Contrast-enhanced abdominal CT, axial slice 106 of 178 (counted from the lowest slice); tube voltage 100 kVp, convolution kernel I30f; slices 5.00 mm thick, 0.650 mm per pixel.
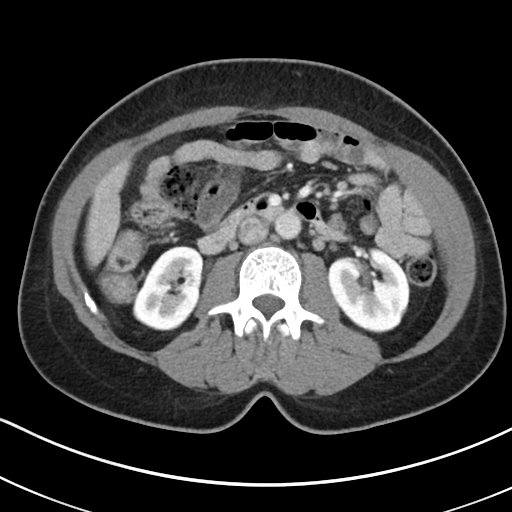
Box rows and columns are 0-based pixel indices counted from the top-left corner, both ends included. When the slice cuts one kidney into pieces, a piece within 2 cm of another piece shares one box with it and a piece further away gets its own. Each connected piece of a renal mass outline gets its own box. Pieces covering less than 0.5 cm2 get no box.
Boxed on this slice (two kidney boxes), listed by box centre from the image's left to its right: (1) Right kidney at rows 245–330, columns 132–204 (outlined area 4,412 px, about 18.7 cm2). (2) Box rows 246–333, columns 327–410: left kidney (outlined area 5,319 px, about 22.5 cm2). This slice carries no renal mass outline.